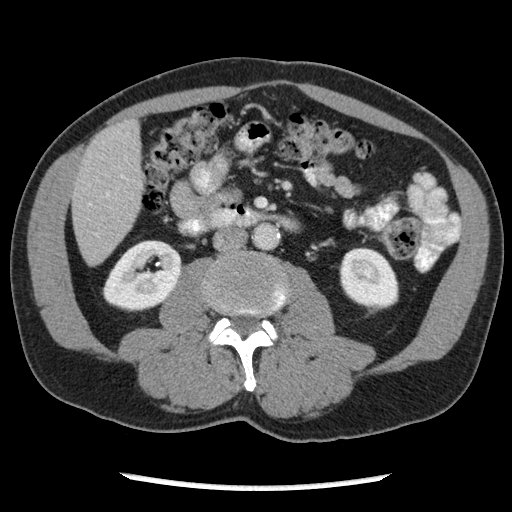
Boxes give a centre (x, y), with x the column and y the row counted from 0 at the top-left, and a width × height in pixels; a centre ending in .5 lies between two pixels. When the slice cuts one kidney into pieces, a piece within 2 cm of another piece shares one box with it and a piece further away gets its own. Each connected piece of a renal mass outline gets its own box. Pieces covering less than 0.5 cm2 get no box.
Arterial-phase contrast-enhanced abdominal CT, axial slice 107 of 262 (counted from the lowest slice); 2.50 mm thick, 0.703 mm per pixel. Two boxes on this slice (two kidney boxes), listed by box centre from the image's left to its right. (1) Right kidney in a box with centre (141.5, 275.5), 80 × 72 pixels (outlined area 4,124 px, about 20.4 cm2). (2) Left kidney, box centre (368.5, 278.5), 60 × 64 pixels (outlined area 2,924 px, about 14.5 cm2). This slice carries no renal mass outline.
Scan settings: 120 kVp, STANDARD reconstruction kernel.